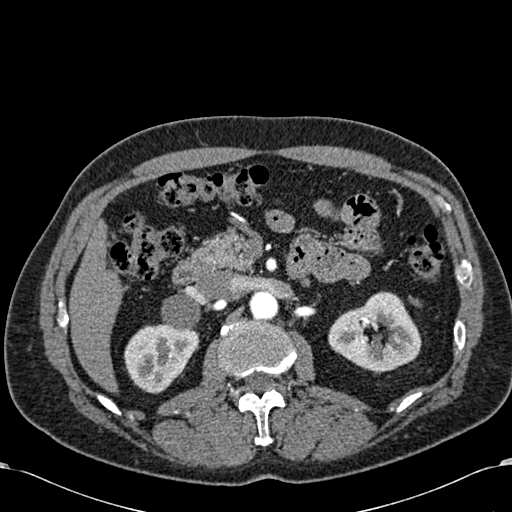
Abdominal CT with intravenous contrast, arterial phase, axial plane, 120 kVp, kernel B30f. Slice 382/581 from the bottom of the scan; thickness 1.00 mm; pixel size 0.713 mm.
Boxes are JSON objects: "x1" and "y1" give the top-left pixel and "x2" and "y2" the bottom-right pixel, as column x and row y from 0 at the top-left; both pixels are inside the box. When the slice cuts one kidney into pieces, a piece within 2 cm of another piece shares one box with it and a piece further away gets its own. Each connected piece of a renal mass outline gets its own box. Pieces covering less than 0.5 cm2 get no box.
Two kidney boxes on this slice; by box centre, from the image's left to its right: (1) Box {"x1": 124, "y1": 323, "x2": 199, "y2": 393}: right kidney (outlined area 3,784 px, about 19.2 cm2). (2) Left kidney at {"x1": 328, "y1": 291, "x2": 421, "y2": 372} (outlined area 5,086 px, about 25.8 cm2). No renal mass outline on this slice.